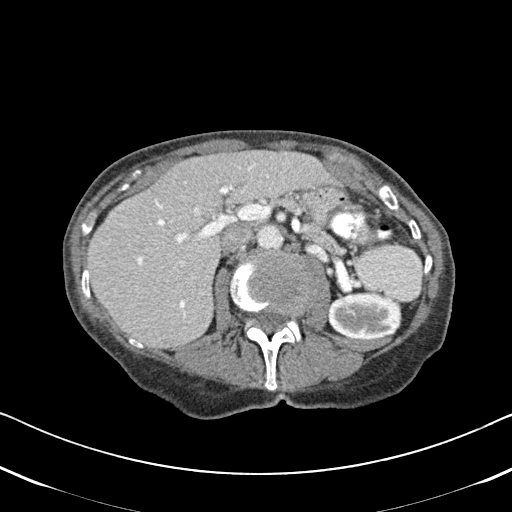
One axial slice (308 of 620, counting up from the lowest) of an arterial-phase abdominal CT acquired with 120 kVp, kernel B31f; each pixel is 0.637 mm and the slice is 2.00 mm thick.
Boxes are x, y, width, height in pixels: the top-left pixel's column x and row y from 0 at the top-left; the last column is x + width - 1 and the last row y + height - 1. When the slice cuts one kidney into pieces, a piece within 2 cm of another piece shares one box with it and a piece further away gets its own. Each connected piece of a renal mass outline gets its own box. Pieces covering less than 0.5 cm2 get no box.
Left kidney at x 328, y 291, width 75, height 49 (outlined area 3,012 px, about 12.2 cm2). No renal mass outline on this slice.